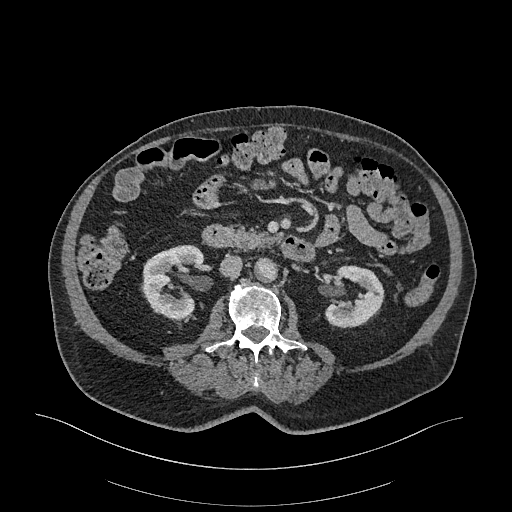
Axial slice 142 of 470 of a contrast-enhanced abdominal CT in the arterial phase (slice 1 is the lowest), 120 kVp, kernel I26f; 1.00 mm slice thickness and 0.938 mm pixels.
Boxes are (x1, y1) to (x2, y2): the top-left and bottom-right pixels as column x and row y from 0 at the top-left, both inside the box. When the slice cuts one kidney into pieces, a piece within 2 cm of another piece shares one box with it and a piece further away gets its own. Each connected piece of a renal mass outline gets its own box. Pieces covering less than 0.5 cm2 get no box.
Two kidney boxes on this slice; by box centre, from the image's left to its right: (1) Right kidney, box (141, 244) to (203, 319) (outlined area 3,273 px, about 28.8 cm2). (2) Box (325, 265) to (384, 328): left kidney (outlined area 2,610 px, about 22.9 cm2). No renal mass is outlined on this slice.